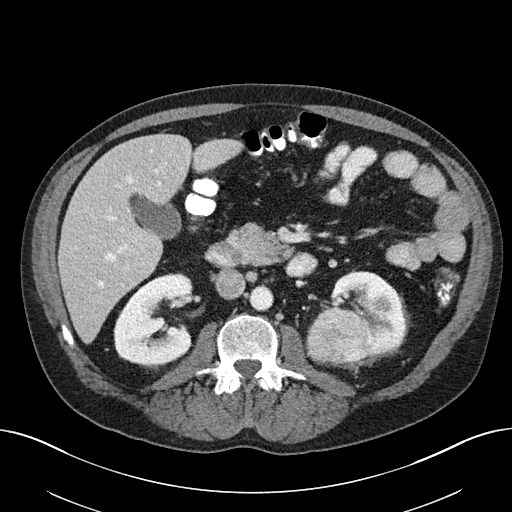
Axial slice 108 of 163 of a contrast-enhanced abdominal CT (slice 1 is the lowest), 100 kVp, kernel I40f; 3.00 mm slice thickness and 0.799 mm pixels.
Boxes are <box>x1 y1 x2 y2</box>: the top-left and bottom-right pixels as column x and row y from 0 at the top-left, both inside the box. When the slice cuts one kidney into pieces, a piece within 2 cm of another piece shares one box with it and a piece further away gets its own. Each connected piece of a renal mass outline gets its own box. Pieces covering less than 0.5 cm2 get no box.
Three boxes on this slice (two kidney boxes and one renal mass box), listed by box centre from the image's left to its right. (1) At <box>114 273 193 367</box>: right kidney (outlined area 5,190 px, about 33.1 cm2). (2) Left renal mass at <box>305 308 371 367</box> (outlined area 3,089 px, about 19.7 cm2). (3) At <box>320 271 407 367</box>: left kidney (outlined area 4,059 px, about 25.9 cm2).